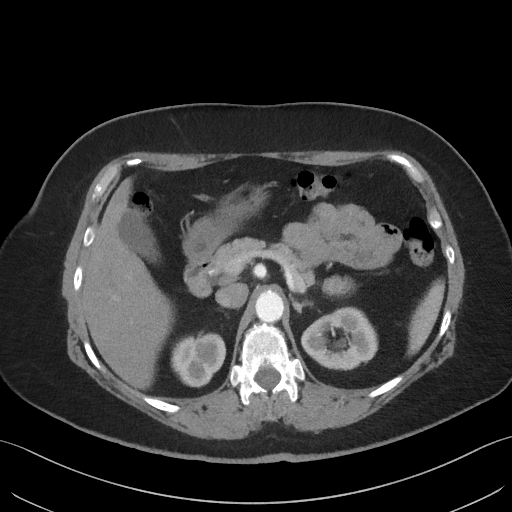
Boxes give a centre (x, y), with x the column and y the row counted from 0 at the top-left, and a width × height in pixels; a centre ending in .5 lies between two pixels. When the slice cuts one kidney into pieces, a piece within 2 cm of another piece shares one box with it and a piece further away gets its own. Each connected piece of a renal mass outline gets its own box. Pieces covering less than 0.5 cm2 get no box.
This is axial slice 40 of 69 (slice 1 is the lowest) of an abdominal CT with contrast; each pixel is 0.736 mm and the slice is 3.00 mm thick. Two kidney boxes on this slice; by box centre, from the image's left to its right: (1) Right kidney, box centre (198.5, 360), 56 × 55 pixels (outlined area 2,220 px, about 12.0 cm2). (2) Box centre (339.5, 339), 78 × 63 pixels: left kidney (outlined area 3,593 px, about 19.5 cm2). This slice carries no renal mass outline.
Tube voltage 140 kVp; convolution kernel I41f.